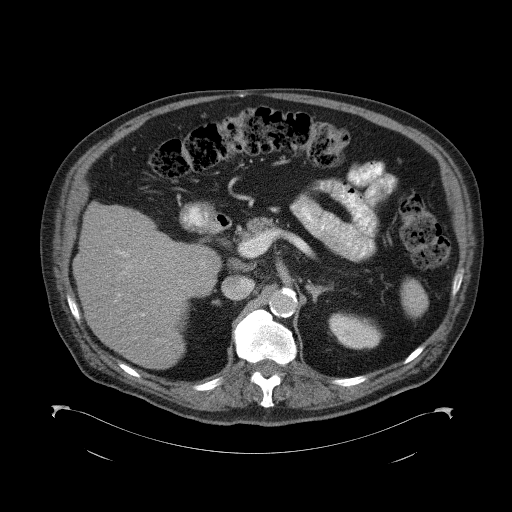
Abdominal CT with intravenous contrast, axial plane, 120 kVp, kernel B41f. Slice 68/98 from the bottom of the scan; thickness 5.00 mm; pixel size 0.965 mm.
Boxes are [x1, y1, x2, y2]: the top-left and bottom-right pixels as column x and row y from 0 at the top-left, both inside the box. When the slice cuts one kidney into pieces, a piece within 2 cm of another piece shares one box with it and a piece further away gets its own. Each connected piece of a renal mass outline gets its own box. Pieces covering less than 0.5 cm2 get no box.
Left kidney, box [328, 312, 382, 349] (outlined area 1,500 px, about 14.0 cm2). This slice carries no renal mass outline.